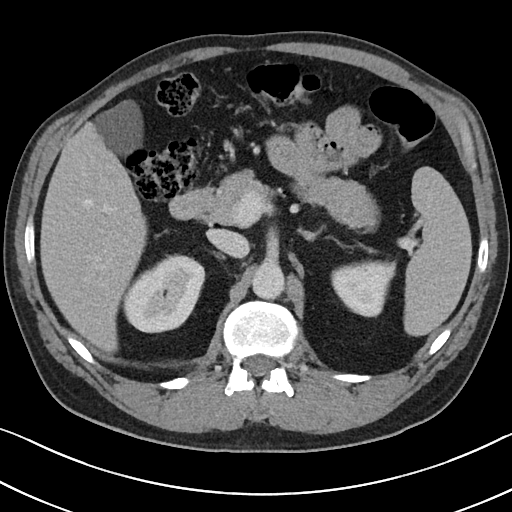
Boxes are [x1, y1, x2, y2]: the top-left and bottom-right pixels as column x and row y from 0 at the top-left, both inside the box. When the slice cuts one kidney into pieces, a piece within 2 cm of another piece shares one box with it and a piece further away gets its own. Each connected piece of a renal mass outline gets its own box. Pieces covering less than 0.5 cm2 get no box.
Slice 72/101 of a contrast-enhanced abdominal CT, counting up from the lowest; pixel size 0.684 mm, slice thickness 5.00 mm. Boxed on this slice (two kidney boxes), listed by box centre from the image's left to its right: (1) Box [122, 254, 205, 332]: right kidney (outlined area 4,635 px, about 21.7 cm2). (2) Box [331, 260, 396, 317]: left kidney (outlined area 2,758 px, about 12.9 cm2).
Scan settings: 100 kVp, I40f reconstruction kernel.